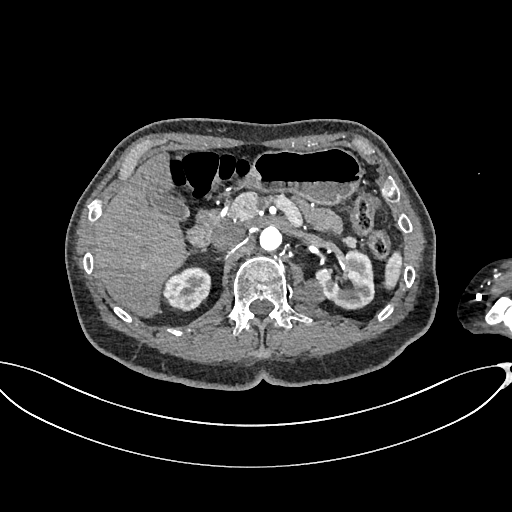
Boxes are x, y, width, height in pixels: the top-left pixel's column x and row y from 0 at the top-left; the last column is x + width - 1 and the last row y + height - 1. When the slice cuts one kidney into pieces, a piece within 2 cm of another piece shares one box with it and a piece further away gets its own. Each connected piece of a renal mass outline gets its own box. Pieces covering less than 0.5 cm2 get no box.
This is axial slice 441 of 665 (slice 1 is the lowest) of an arterial-phase abdominal CT with contrast; each pixel is 0.828 mm and the slice is 1.00 mm thick. Two kidney boxes and one renal mass box on this slice; by box centre, from the image's left to its right: (1) Right kidney at x 163, y 267, width 49, height 45 (outlined area 1,670 px, about 11.5 cm2). (2) Left renal mass, box x 291, y 278, width 33, height 27 (outlined area 622 px, about 4.3 cm2). (3) Left kidney at x 316, y 251, width 58, height 57 (outlined area 2,414 px, about 16.6 cm2).
Scan settings: 100 kVp, I26f reconstruction kernel.